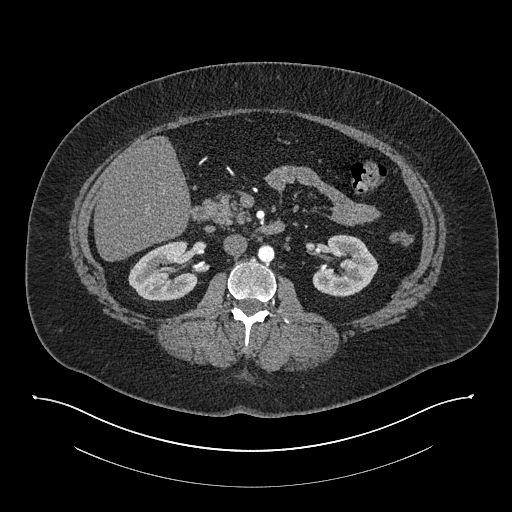
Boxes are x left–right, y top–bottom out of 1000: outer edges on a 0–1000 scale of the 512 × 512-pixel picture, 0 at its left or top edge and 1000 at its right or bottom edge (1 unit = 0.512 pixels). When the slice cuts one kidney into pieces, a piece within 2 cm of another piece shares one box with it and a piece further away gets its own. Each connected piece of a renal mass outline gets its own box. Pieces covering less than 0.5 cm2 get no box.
Arterial-phase contrast-enhanced abdominal CT, axial slice 450 of 673 (counted from the lowest slice); 1.00 mm thick, 0.957 mm per pixel. Two boxes on this slice (two kidney boxes), listed by box centre from the image's left to its right. (1) Right kidney, box x 250–389, y 471–588 out of 1000 (outlined area 3,089 px, about 28.3 cm2). (2) Box x 609–740, y 457–582 out of 1000: left kidney (outlined area 2,913 px, about 26.7 cm2). This slice carries no renal mass outline.
Scan settings: 140 kVp, I30f reconstruction kernel.